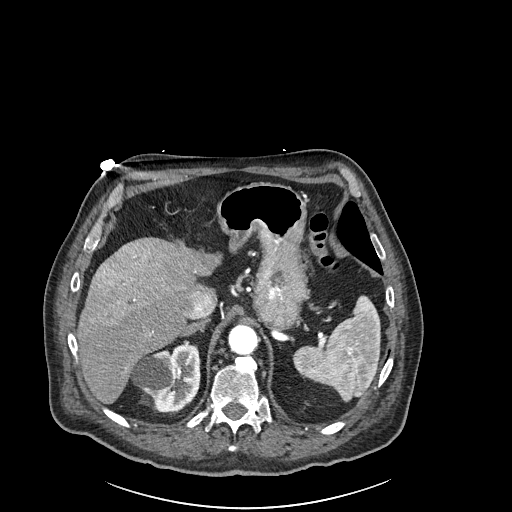
One axial slice (184 of 261, counting up from the lowest) of an arterial-phase abdominal CT acquired with 120 kVp, kernel I30f; each pixel is 0.939 mm and the slice is 2.00 mm thick.
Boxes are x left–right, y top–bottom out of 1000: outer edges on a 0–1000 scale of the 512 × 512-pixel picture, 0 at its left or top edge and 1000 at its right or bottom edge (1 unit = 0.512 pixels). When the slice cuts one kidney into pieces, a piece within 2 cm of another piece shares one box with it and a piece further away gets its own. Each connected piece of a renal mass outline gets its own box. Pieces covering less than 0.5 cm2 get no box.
Right kidney, box x 254–393, y 668–807 out of 1000 (outlined area 3,486 px, about 30.8 cm2). No renal mass outline on this slice.